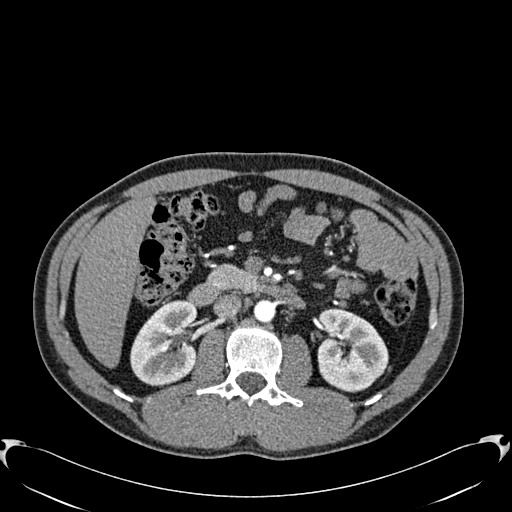
One axial slice (346 of 512, counting up from the lowest) of an arterial-phase abdominal CT acquired with 120 kVp, kernel B30f; each pixel is 0.771 mm and the slice is 1.00 mm thick.
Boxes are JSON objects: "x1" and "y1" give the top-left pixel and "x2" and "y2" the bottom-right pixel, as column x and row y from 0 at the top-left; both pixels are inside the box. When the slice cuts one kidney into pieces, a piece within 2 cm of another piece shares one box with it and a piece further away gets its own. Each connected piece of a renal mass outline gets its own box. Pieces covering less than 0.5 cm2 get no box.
Two boxes on this slice (two kidney boxes), listed by box centre from the image's left to its right. (1) Right kidney, box {"x1": 130, "y1": 300, "x2": 197, "y2": 386} (outlined area 4,495 px, about 26.8 cm2). (2) Left kidney, box {"x1": 317, "y1": 308, "x2": 388, "y2": 392} (outlined area 4,638 px, about 27.6 cm2). No renal mass outline on this slice.